Arterial-phase contrast-enhanced abdominal CT, axial slice 311 of 581 (counted from the lowest slice); tube voltage 120 kVp, convolution kernel B30f; slices 1.00 mm thick, 0.713 mm per pixel.
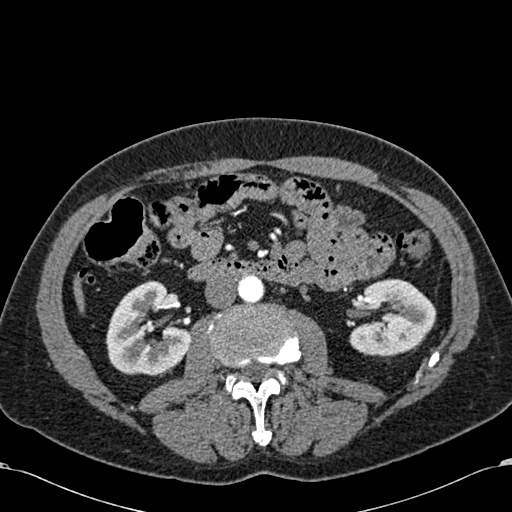
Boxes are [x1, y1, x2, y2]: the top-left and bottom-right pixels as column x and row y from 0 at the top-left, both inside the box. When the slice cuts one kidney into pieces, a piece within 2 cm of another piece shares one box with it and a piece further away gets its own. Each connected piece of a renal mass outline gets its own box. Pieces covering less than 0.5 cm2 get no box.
Boxed on this slice (two kidney boxes), listed by box centre from the image's left to its right: (1) Right kidney, box [105, 280, 190, 374] (outlined area 5,573 px, about 28.3 cm2). (2) Left kidney at [349, 278, 436, 356] (outlined area 5,097 px, about 25.9 cm2). This slice carries no renal mass outline.